Axial slice 43 of 90 of a contrast-enhanced abdominal CT (slice 1 is the lowest), 120 kVp, kernel B41f; 5.00 mm slice thickness and 0.781 mm pixels.
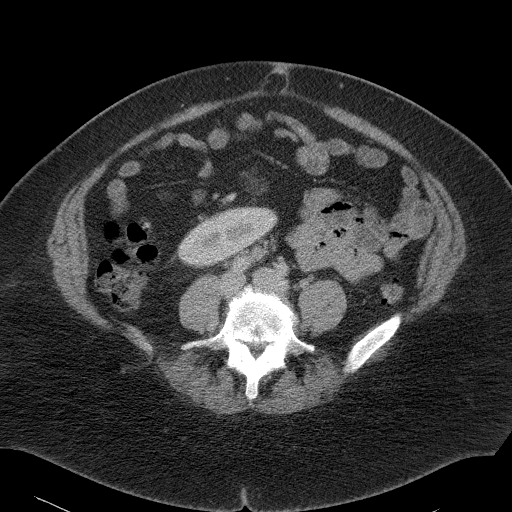
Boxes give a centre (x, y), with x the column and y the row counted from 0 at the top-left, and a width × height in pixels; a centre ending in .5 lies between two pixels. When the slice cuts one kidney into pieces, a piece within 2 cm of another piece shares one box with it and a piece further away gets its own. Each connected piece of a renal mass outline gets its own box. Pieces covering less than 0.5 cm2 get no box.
Right kidney, box centre (226, 237), 105 × 63 pixels (outlined area 3,930 px, about 24.0 cm2). This slice carries no renal mass outline.